Abdominal CT with intravenous contrast, arterial phase, axial plane, 100 kVp, kernel I40f. Slice 196/316 from the bottom of the scan; thickness 2.00 mm; pixel size 0.840 mm.
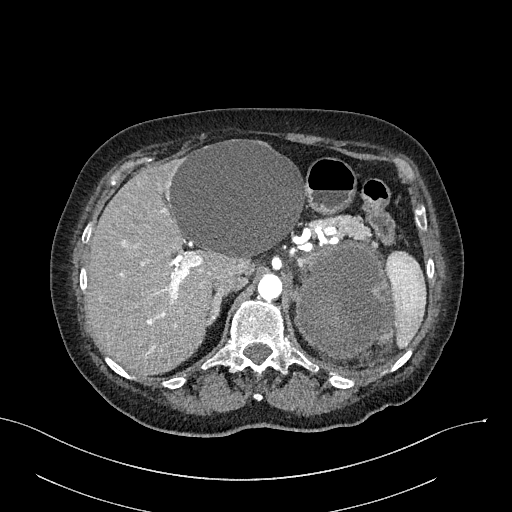
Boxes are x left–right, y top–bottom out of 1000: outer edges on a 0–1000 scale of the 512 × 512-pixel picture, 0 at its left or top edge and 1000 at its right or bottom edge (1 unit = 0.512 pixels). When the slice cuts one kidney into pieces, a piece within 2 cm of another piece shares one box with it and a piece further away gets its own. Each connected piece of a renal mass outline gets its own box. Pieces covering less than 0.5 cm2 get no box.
Left renal mass, box x 576–770, y 467–703 out of 1000 (outlined area 9,291 px, about 65.5 cm2); this slice has no kidney outline, though on another slice the same outlined renal mass lies within 1 cm of the kidney.